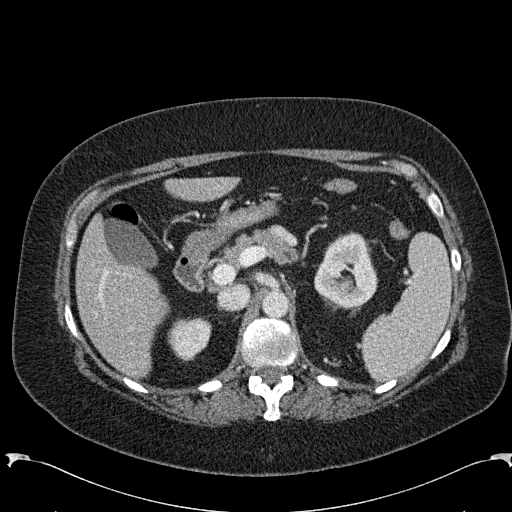
One axial slice (167 of 285, counting up from the lowest) of an arterial-phase abdominal CT acquired with 120 kVp, kernel B31f; each pixel is 0.762 mm and the slice is 2.00 mm thick.
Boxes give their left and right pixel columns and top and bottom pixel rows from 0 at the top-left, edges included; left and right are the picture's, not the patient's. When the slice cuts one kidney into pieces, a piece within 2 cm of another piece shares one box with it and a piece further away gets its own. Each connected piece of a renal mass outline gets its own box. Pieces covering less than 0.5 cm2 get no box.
Two kidney boxes on this slice; by box centre, from the image's left to its right: (1) Right kidney in the box with left 167, top 317, right 211, bottom 361 (outlined area 1,469 px, about 8.5 cm2). (2) Left kidney, the box with left 314, top 231, right 378, bottom 309 (outlined area 3,577 px, about 20.8 cm2). No renal mass is outlined on this slice.